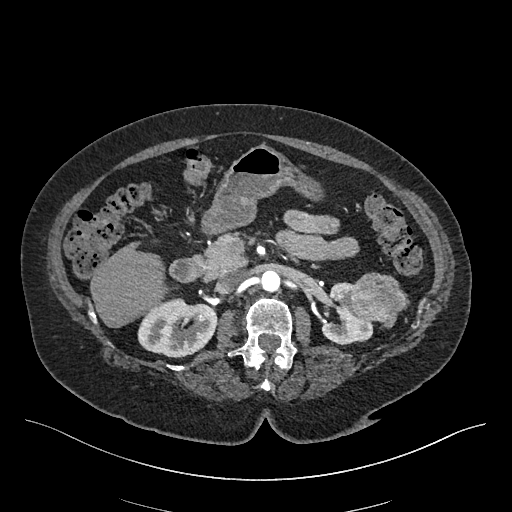
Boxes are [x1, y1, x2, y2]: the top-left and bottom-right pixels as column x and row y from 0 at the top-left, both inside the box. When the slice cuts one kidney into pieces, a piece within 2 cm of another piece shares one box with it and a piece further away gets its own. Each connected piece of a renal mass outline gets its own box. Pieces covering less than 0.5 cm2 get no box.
This is axial slice 268 of 548 (slice 1 is the lowest) of an arterial-phase abdominal CT with contrast; each pixel is 0.852 mm and the slice is 1.00 mm thick. Boxed on this slice (two kidney boxes and one renal mass box), listed by box centre from the image's left to its right: (1) Box [137, 298, 217, 357]: right kidney (outlined area 3,604 px, about 26.1 cm2). (2) Left kidney at [321, 282, 373, 344] (outlined area 1,883 px, about 13.7 cm2). (3) Left renal mass, box [349, 272, 408, 328] (outlined area 2,402 px, about 17.4 cm2).
Tube voltage 120 kVp; convolution kernel I26f.